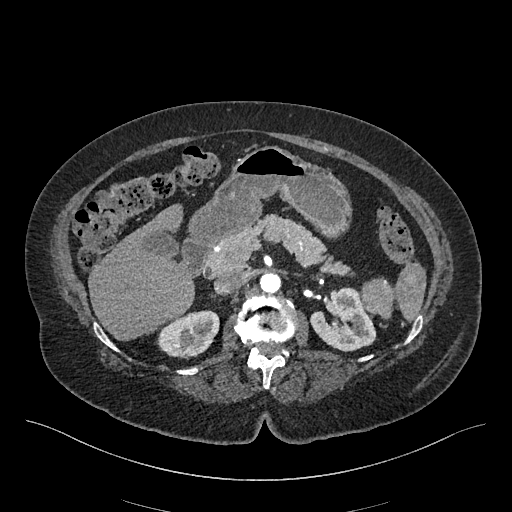
One axial slice (291 of 548, counting up from the lowest) of an arterial-phase abdominal CT acquired with 120 kVp, kernel I26f; each pixel is 0.852 mm and the slice is 1.00 mm thick.
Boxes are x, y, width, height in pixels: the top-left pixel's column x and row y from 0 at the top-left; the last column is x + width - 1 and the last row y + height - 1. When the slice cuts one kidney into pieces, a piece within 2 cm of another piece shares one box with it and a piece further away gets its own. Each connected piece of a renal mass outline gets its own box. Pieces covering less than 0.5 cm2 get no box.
Boxed on this slice (two kidney boxes and one renal mass box), listed by box centre from the image's left to its right: (1) Box x 157, y 310, width 63, height 49: right kidney (outlined area 2,214 px, about 16.1 cm2). (2) Box x 310, y 287, width 67, height 65: left kidney (outlined area 2,883 px, about 20.9 cm2). (3) Left renal mass, box x 359, y 277, width 36, height 42 (outlined area 1,123 px, about 8.1 cm2).